Abdominal CT with intravenous contrast, arterial phase, axial plane, 120 kVp, kernel I30f. Slice 312/670 from the bottom of the scan; thickness 1.00 mm; pixel size 0.861 mm.
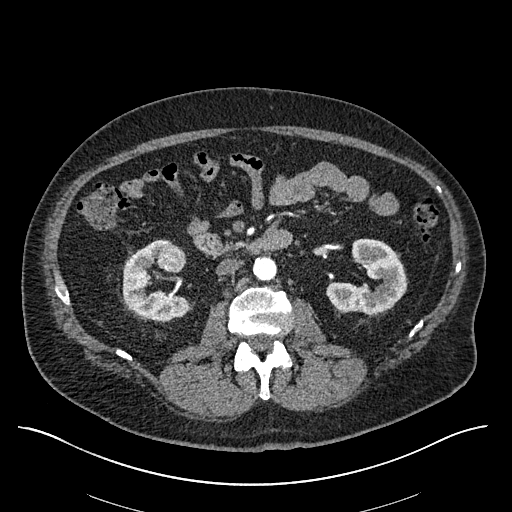
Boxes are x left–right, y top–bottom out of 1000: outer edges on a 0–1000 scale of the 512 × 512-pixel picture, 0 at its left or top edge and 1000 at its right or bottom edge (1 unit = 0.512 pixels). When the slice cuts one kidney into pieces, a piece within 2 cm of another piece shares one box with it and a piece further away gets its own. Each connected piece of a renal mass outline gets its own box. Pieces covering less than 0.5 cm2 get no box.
Boxed on this slice (two kidney boxes and one renal mass box), listed by box centre from the image's left to its right: (1) Box x 238–371, y 467–627 out of 1000: right kidney (outlined area 3,328 px, about 24.7 cm2). (2) Right renal mass, box x 307–365, y 475–533 out of 1000 (outlined area 687 px, about 5.1 cm2). (3) Left kidney at x 637–795, y 465–615 out of 1000 (outlined area 3,836 px, about 28.5 cm2).